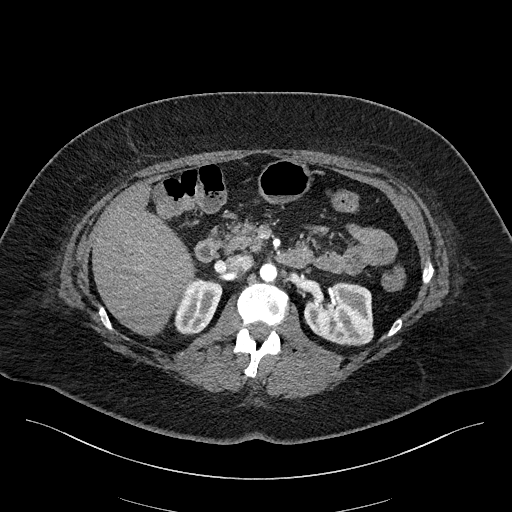
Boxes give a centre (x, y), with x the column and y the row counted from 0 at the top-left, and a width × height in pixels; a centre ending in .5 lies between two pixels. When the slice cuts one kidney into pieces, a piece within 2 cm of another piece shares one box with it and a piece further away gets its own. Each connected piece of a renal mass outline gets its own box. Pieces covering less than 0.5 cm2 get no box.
Slice 119/270 of a contrast-enhanced abdominal CT in the arterial phase, counting up from the lowest; pixel size 0.855 mm, slice thickness 2.00 mm. Boxed on this slice (two kidney boxes), listed by box centre from the image's left to its right: (1) Box centre (198, 306), 49 × 57 pixels: right kidney (outlined area 1,951 px, about 14.3 cm2). (2) Box centre (338.5, 313.5), 70 × 64 pixels: left kidney (outlined area 3,505 px, about 25.7 cm2). No renal mass outline on this slice.
Tube voltage 100 kVp; convolution kernel I40f.